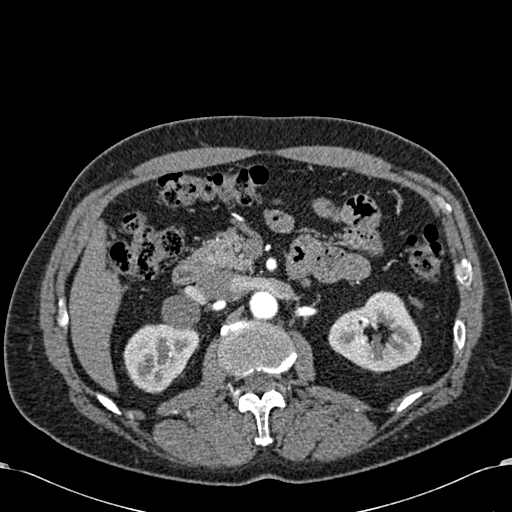
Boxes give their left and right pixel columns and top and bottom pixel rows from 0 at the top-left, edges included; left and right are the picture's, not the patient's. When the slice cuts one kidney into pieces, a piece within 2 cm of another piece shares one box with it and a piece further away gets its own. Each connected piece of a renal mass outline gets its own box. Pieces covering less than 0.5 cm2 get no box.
This is axial slice 381 of 581 (slice 1 is the lowest) of an arterial-phase abdominal CT with contrast; each pixel is 0.713 mm and the slice is 1.00 mm thick. Two kidney boxes on this slice; by box centre, from the image's left to its right: (1) Right kidney in the box with left 123, top 323, right 200, bottom 393 (outlined area 3,852 px, about 19.6 cm2). (2) Box with left 328, top 291, right 421, bottom 372: left kidney (outlined area 5,049 px, about 25.7 cm2). No renal mass is outlined on this slice.
Tube voltage 120 kVp; convolution kernel B30f.